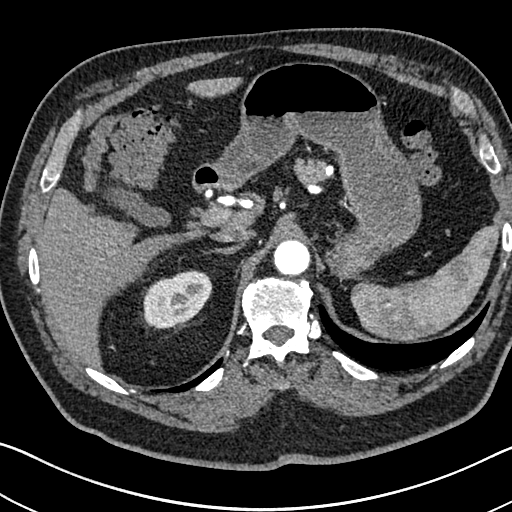
Axial slice 541 of 705 of a contrast-enhanced abdominal CT in the arterial phase (slice 1 is the lowest), 120 kVp, kernel I30f; 1.00 mm slice thickness and 0.703 mm pixels.
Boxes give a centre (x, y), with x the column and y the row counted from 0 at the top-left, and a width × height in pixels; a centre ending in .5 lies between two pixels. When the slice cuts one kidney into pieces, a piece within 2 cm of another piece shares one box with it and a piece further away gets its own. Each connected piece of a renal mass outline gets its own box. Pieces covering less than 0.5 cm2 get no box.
Right kidney in a box with centre (176, 299), 73 × 61 pixels (outlined area 3,079 px, about 15.2 cm2). No renal mass outline on this slice.